Arterial-phase contrast-enhanced abdominal CT, axial slice 359 of 723 (counted from the lowest slice); tube voltage 120 kVp, convolution kernel B30f; slices 1.00 mm thick, 0.895 mm per pixel.
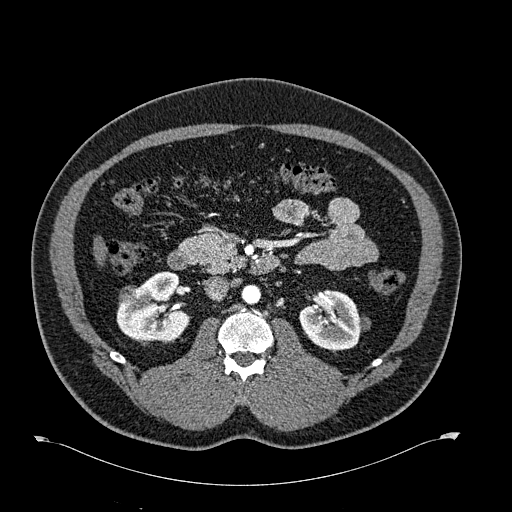
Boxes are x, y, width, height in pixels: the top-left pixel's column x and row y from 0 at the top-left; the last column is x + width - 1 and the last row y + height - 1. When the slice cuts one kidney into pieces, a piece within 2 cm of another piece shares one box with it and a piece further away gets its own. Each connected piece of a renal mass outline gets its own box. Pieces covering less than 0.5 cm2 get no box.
Boxed on this slice (two kidney boxes and one renal mass box), listed by box centre from the image's left to its right: (1) Right renal mass at x 119, y 285, width 19, height 19 (outlined area 272 px, about 2.2 cm2). (2) Right kidney at x 116, y 271, width 75, height 72 (outlined area 3,693 px, about 29.6 cm2). (3) Box x 299, y 289, width 72, height 63: left kidney (outlined area 3,068 px, about 24.5 cm2).